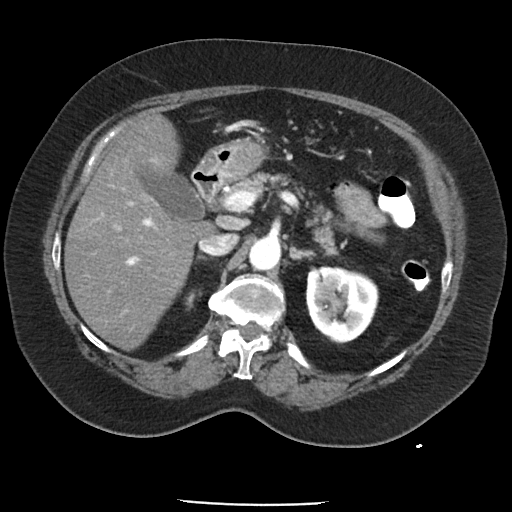
One axial slice (64 of 85, counting up from the lowest) of an arterial-phase abdominal CT acquired with 120 kVp, kernel FC19; each pixel is 0.741 mm and the slice is 5.00 mm thick.
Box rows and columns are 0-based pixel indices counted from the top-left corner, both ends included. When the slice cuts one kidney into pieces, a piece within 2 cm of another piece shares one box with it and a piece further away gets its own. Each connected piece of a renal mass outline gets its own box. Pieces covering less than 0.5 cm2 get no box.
Two boxes on this slice (two kidney boxes), listed by box centre from the image's left to its right. (1) Right kidney at rows 290–310, columns 185–196 (outlined area 150 px, about 0.8 cm2). (2) Box rows 265–343, columns 305–379: left kidney (outlined area 4,508 px, about 24.8 cm2). This slice carries no renal mass outline.